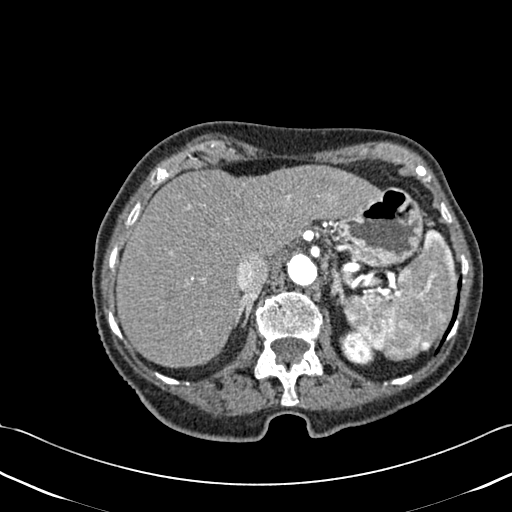
Contrast-enhanced abdominal CT, axial slice 340 of 433 (counted from the lowest slice); tube voltage 120 kVp, convolution kernel B30f; slices 1.00 mm thick, 0.672 mm per pixel.
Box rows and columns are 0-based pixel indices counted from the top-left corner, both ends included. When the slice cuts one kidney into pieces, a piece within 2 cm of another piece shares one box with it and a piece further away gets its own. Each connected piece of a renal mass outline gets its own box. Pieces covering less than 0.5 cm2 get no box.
Left kidney at rows 329–365, columns 339–375 (outlined area 908 px, about 4.1 cm2). This slice carries no renal mass outline.